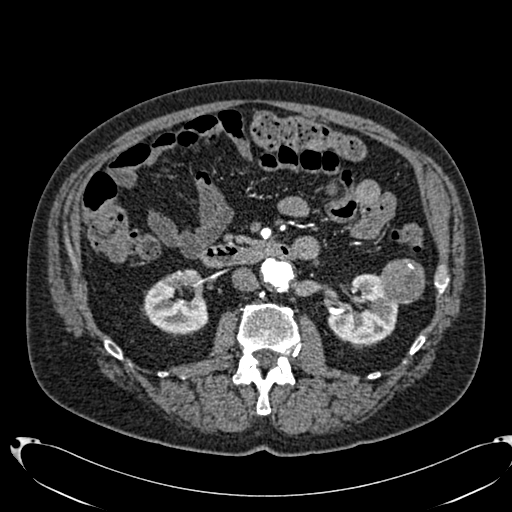
Axial slice 393 of 553 of a contrast-enhanced abdominal CT in the arterial phase (slice 1 is the lowest), 120 kVp, kernel B20f; 1.00 mm slice thickness and 0.773 mm pixels.
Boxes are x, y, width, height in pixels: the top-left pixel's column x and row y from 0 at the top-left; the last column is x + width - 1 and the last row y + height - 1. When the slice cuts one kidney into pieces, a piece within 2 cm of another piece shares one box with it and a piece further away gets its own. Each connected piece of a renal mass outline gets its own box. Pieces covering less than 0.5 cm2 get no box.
Two kidney boxes and one renal mass box on this slice; by box centre, from the image's left to its right: (1) Right kidney, box x 143, y 269, width 66, height 66 (outlined area 3,186 px, about 19.1 cm2). (2) Left kidney at x 327, y 273, width 72, height 72 (outlined area 3,435 px, about 20.5 cm2). (3) Left renal mass, box x 380, y 258, width 46, height 47 (outlined area 1,664 px, about 10.0 cm2).